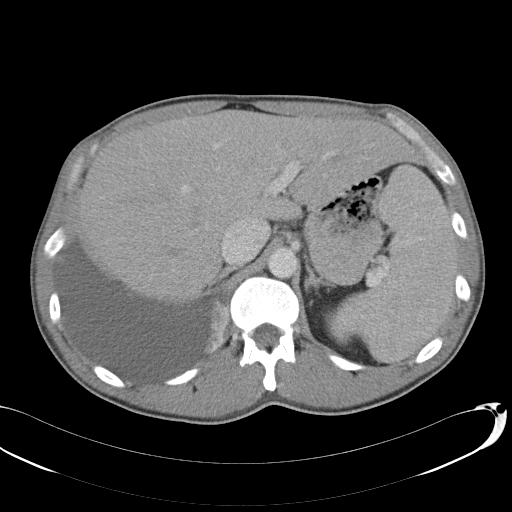
One axial slice (79 of 146, counting up from the lowest) of a contrast-enhanced abdominal CT acquired with 120 kVp, kernel B31f; each pixel is 0.742 mm and the slice is 5.00 mm thick.
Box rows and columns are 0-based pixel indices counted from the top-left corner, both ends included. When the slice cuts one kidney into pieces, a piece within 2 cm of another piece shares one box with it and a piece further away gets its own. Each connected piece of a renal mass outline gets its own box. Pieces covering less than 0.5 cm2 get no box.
Left kidney at rows 307–346, columns 323–352 (outlined area 858 px, about 4.7 cm2). No renal mass outline on this slice.